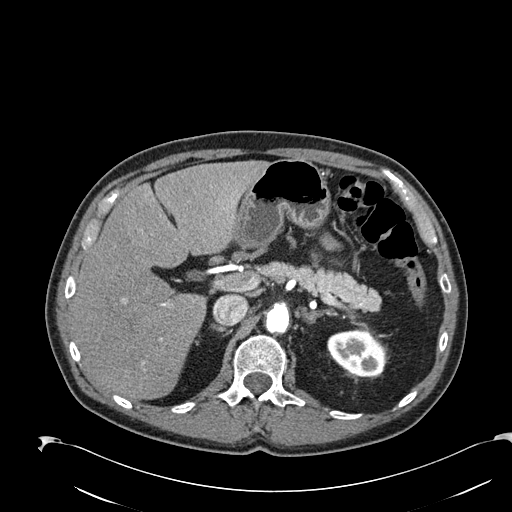
Arterial-phase contrast-enhanced abdominal CT, axial slice 160 of 274 (counted from the lowest slice); tube voltage 120 kVp, convolution kernel B30f; slices 2.00 mm thick, 0.809 mm per pixel.
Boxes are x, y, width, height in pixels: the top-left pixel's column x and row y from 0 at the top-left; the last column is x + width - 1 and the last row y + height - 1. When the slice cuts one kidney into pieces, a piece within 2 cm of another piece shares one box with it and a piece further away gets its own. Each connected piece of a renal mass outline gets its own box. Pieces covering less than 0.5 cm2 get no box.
Box x 327, y 329, width 59, height 48: left kidney (outlined area 2,175 px, about 14.2 cm2). No renal mass outline on this slice.